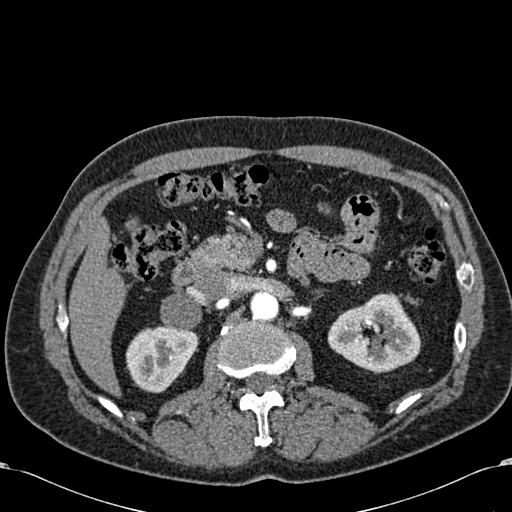
Abdominal CT with intravenous contrast, arterial phase, axial plane, 120 kVp, kernel B30f. Slice 385/581 from the bottom of the scan; thickness 1.00 mm; pixel size 0.713 mm.
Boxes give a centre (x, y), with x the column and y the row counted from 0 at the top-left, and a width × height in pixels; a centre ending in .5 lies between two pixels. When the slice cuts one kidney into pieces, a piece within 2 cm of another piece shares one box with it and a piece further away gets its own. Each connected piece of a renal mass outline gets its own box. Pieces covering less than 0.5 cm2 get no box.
Boxed on this slice (two kidney boxes), listed by box centre from the image's left to its right: (1) Right kidney in a box with centre (161.5, 358.5), 74 × 70 pixels (outlined area 3,597 px, about 18.3 cm2). (2) Box centre (374, 332), 95 × 81 pixels: left kidney (outlined area 5,152 px, about 26.2 cm2). No renal mass is outlined on this slice.